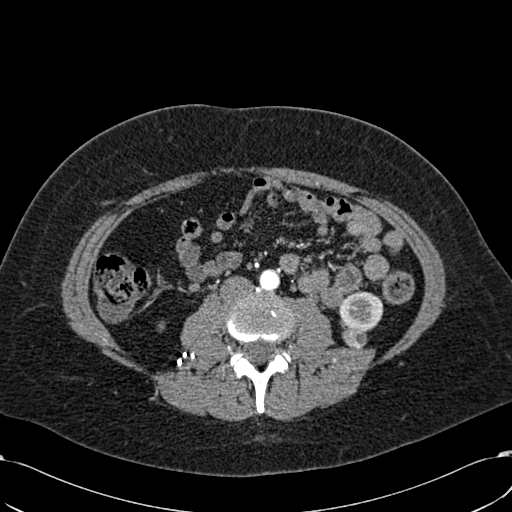
Abdominal CT with intravenous contrast, arterial phase, axial plane, 120 kVp, kernel B30f. Slice 264/532 from the bottom of the scan; thickness 1.00 mm; pixel size 0.713 mm.
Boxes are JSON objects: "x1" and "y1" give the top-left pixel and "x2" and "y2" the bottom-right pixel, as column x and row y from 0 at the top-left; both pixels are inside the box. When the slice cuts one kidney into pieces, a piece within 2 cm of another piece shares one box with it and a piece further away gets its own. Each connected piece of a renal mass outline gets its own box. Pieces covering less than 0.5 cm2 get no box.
Boxed on this slice (one kidney box and one renal mass box), listed by box centre from the image's left to its right: (1) Left renal mass, box {"x1": 342, "y1": 326, "x2": 367, "y2": 348} (outlined area 439 px, about 2.2 cm2). (2) Box {"x1": 338, "y1": 291, "x2": 383, "y2": 331}: left kidney (outlined area 1,407 px, about 7.2 cm2).